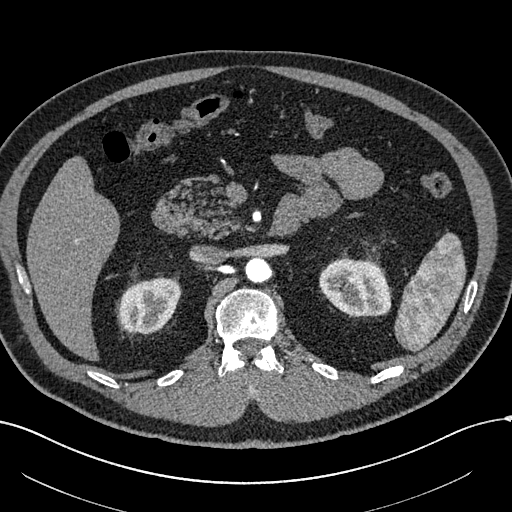
Arterial-phase contrast-enhanced abdominal CT, axial slice 392 of 602 (counted from the lowest slice); tube voltage 120 kVp, convolution kernel I30f; slices 1.00 mm thick, 0.799 mm per pixel.
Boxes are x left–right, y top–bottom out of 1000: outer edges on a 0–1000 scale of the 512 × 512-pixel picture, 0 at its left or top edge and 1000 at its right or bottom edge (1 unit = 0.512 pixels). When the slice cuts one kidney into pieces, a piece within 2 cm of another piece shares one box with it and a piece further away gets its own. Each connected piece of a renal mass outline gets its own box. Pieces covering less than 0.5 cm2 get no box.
Two boxes on this slice (two kidney boxes), listed by box centre from the image's left to its right. (1) Box x 230–355, y 543–652 out of 1000: right kidney (outlined area 2,724 px, about 17.4 cm2). (2) Left kidney, box x 623–766, y 502–619 out of 1000 (outlined area 3,390 px, about 21.6 cm2). This slice carries no renal mass outline.